Contrast-enhanced abdominal CT, axial slice 179 of 834 (counted from the lowest slice); tube voltage 140 kVp, convolution kernel I30f; slices 1.00 mm thick, 0.977 mm per pixel.
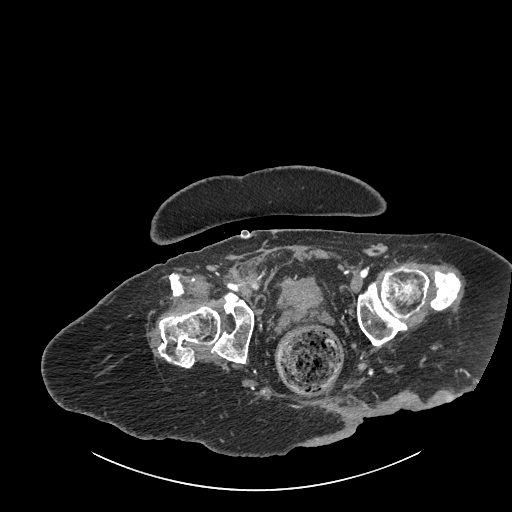
Neither a kidney nor a renal mass is outlined here. Only kidneys and renal masses are outlined anywhere in this scan; other structures are never outlined.